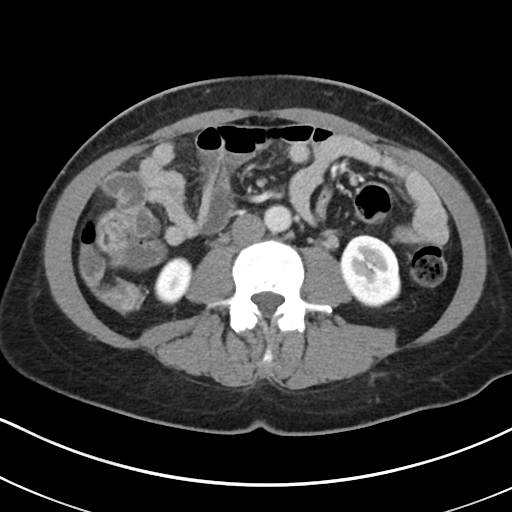
One axial slice (95 of 178, counting up from the lowest) of a contrast-enhanced abdominal CT acquired with 100 kVp, kernel I30f; each pixel is 0.650 mm and the slice is 5.00 mm thick.
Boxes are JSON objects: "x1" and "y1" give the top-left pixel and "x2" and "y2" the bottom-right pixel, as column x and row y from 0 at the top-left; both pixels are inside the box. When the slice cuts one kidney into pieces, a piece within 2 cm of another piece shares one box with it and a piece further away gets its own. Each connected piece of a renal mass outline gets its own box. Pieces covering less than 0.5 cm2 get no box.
Two kidney boxes on this slice; by box centre, from the image's left to its right: (1) Right kidney, box {"x1": 154, "y1": 256, "x2": 192, "y2": 305} (outlined area 1,387 px, about 5.9 cm2). (2) Left kidney, box {"x1": 339, "y1": 234, "x2": 401, "y2": 308} (outlined area 3,496 px, about 14.8 cm2). This slice carries no renal mass outline.